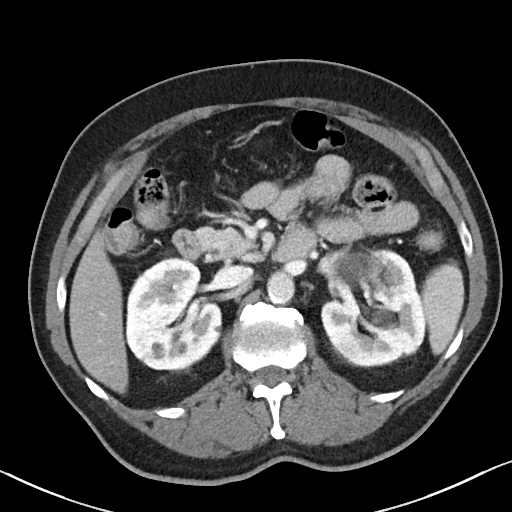
One axial slice (61 of 90, counting up from the lowest) of a contrast-enhanced abdominal CT acquired with 100 kVp, kernel I40f; each pixel is 0.684 mm and the slice is 5.00 mm thick.
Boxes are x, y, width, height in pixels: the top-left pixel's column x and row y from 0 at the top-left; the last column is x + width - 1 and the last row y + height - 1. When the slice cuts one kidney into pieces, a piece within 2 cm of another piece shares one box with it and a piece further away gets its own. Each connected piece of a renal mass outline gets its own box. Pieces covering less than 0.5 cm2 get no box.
Boxed on this slice (two kidney boxes), listed by box centre from the image's left to its right: (1) Right kidney at x 125, y 258, width 97, height 113 (outlined area 8,571 px, about 40.1 cm2). (2) Left kidney, box x 315, y 248, width 111, height 120 (outlined area 10,266 px, about 48.0 cm2). No renal mass outline on this slice.